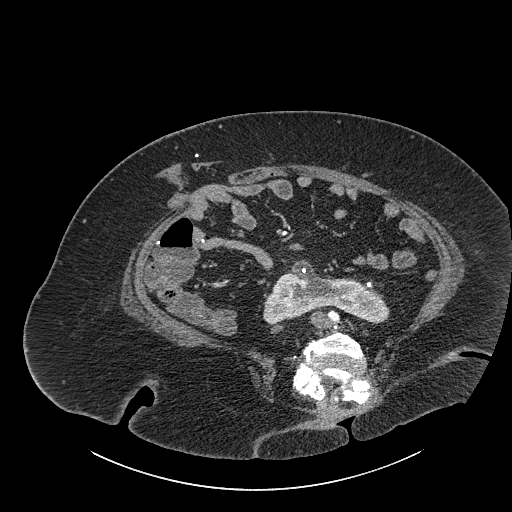
Contrast-enhanced abdominal CT, axial slice 440 of 834 (counted from the lowest slice); tube voltage 140 kVp, convolution kernel I30f; slices 1.00 mm thick, 0.977 mm per pixel.
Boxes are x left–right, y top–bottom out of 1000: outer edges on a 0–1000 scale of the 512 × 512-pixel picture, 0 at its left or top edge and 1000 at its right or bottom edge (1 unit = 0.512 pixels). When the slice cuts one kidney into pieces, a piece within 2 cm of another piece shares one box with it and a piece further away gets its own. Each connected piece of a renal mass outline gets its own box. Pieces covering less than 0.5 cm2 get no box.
Kidney crossing the body midline, box x 514–760, y 506–635 out of 1000 (outlined area 4,682 px, about 44.7 cm2). No renal mass outline on this slice.